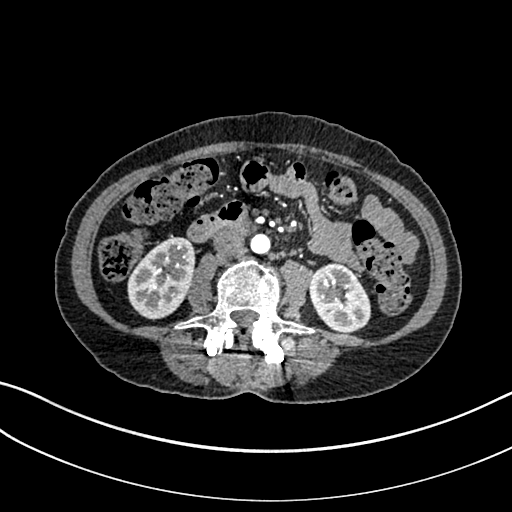
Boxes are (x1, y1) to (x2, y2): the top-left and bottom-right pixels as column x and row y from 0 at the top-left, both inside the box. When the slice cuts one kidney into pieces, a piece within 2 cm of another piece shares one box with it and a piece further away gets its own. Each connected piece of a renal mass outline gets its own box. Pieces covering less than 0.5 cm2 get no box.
Arterial-phase contrast-enhanced abdominal CT, axial slice 104 of 325 (counted from the lowest slice); 1.00 mm thick, 0.703 mm per pixel. Boxed on this slice (two kidney boxes), listed by box centre from the image's left to its right: (1) Box (127, 237) to (195, 319): right kidney (outlined area 4,110 px, about 20.3 cm2). (2) Left kidney from (309, 263) to (371, 333) (outlined area 3,270 px, about 16.2 cm2). No renal mass outline on this slice.
Tube voltage 100 kVp; convolution kernel I30f.